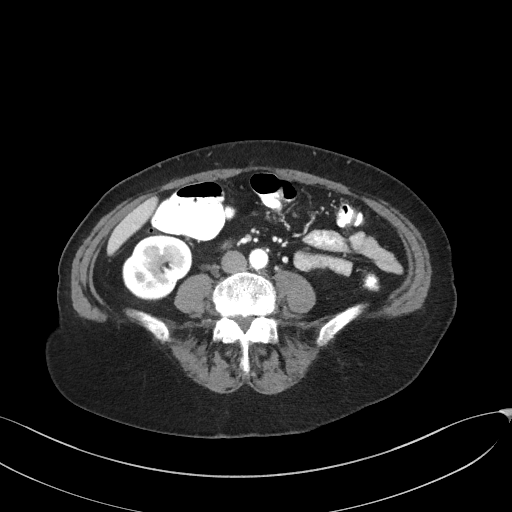
One axial slice (71 of 129, counting up from the lowest) of an arterial-phase abdominal CT acquired with 100 kVp, kernel I41f; each pixel is 0.779 mm and the slice is 3.00 mm thick.
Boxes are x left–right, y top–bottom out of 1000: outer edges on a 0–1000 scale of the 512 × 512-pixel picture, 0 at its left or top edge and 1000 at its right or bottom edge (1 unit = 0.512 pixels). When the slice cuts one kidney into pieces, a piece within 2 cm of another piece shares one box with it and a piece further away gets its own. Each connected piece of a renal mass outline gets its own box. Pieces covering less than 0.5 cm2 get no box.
Box x 238–377, y 455–590 out of 1000: right kidney (outlined area 3,562 px, about 21.6 cm2). No renal mass outline on this slice.